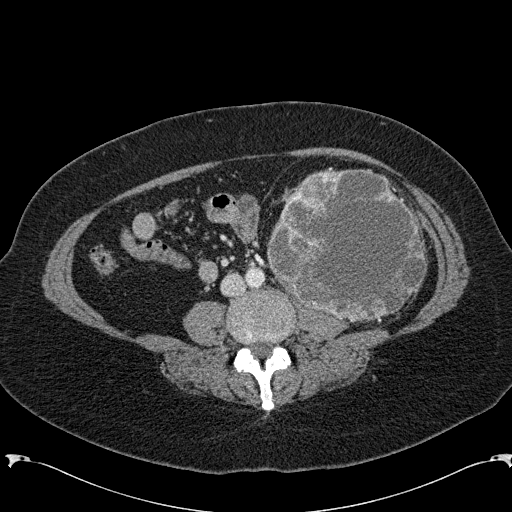
Axial slice 66 of 285 of a contrast-enhanced abdominal CT in the arterial phase (slice 1 is the lowest), 120 kVp, kernel B31f; 2.00 mm slice thickness and 0.762 mm pixels.
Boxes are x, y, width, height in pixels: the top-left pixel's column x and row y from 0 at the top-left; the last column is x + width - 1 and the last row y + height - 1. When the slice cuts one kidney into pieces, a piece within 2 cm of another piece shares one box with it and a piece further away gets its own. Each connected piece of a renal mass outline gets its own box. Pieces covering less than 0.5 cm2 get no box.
Left renal mass, box x 267, y 167, width 161, height 154 (outlined area 18,698 px, about 108.5 cm2); no kidney outline appears on this slice, but the same outlined renal mass comes within 1 cm of the kidney on another slice.